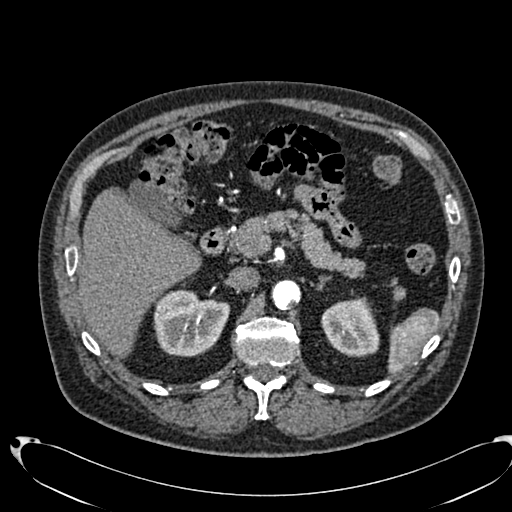
Abdominal CT with intravenous contrast, arterial phase, axial plane, 120 kVp, kernel B20f. Slice 468/553 from the bottom of the scan; thickness 1.00 mm; pixel size 0.773 mm.
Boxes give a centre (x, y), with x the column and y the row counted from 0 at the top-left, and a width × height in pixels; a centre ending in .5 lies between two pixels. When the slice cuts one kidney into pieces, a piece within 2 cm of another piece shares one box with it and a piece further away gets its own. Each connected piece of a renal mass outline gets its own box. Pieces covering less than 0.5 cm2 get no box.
Two boxes on this slice (two kidney boxes), listed by box centre from the image's left to its right. (1) Right kidney, box centre (191.5, 322.5), 78 × 68 pixels (outlined area 3,935 px, about 23.5 cm2). (2) Box centre (350, 326.5), 59 × 60 pixels: left kidney (outlined area 2,649 px, about 15.8 cm2). No renal mass is outlined on this slice.